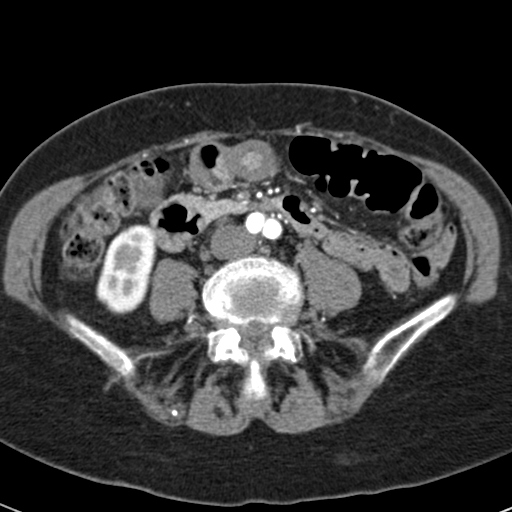
One axial slice (9 of 53, counting up from the lowest) of an arterial-phase abdominal CT acquired with 120 kVp, kernel B30f; each pixel is 0.547 mm and the slice is 3.00 mm thick.
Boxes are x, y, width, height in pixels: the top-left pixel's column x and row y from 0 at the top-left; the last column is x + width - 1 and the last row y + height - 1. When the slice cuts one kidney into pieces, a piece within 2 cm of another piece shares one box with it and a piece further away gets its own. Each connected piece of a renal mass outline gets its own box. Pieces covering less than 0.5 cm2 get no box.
Right kidney at x 96, y 224, width 62, height 91 (outlined area 4,071 px, about 12.2 cm2). No renal mass is outlined on this slice.